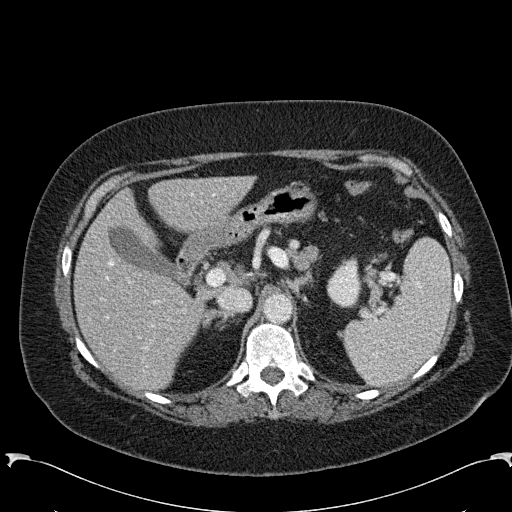
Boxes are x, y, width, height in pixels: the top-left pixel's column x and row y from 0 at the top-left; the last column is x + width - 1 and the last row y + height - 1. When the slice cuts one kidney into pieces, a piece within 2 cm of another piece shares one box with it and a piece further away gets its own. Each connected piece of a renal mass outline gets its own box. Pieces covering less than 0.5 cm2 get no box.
Slice 181/285 of a contrast-enhanced abdominal CT in the arterial phase, counting up from the lowest; pixel size 0.762 mm, slice thickness 2.00 mm. Box x 326, y 255, width 35, height 54: left kidney (outlined area 1,333 px, about 7.7 cm2). This slice carries no renal mass outline.
Acquired at 120 kVp and reconstructed with the B31f kernel.